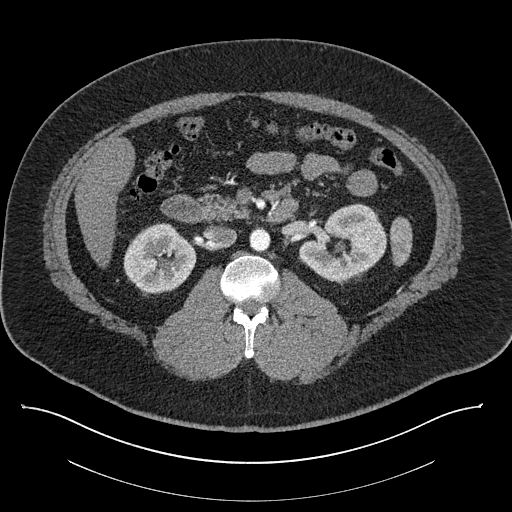
Abdominal CT with intravenous contrast, axial plane, 140 kVp, kernel I30f. Slice 492/787 from the bottom of the scan; thickness 1.00 mm; pixel size 0.910 mm.
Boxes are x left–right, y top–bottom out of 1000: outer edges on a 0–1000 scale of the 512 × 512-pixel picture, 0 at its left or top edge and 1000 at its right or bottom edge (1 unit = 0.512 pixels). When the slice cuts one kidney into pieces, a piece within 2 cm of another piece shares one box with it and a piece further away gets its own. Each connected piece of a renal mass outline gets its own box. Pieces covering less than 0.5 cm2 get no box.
Two boxes on this slice (two kidney boxes), listed by box centre from the image's left to its right. (1) Box x 240–385, y 436–576 out of 1000: right kidney (outlined area 3,913 px, about 32.4 cm2). (2) Left kidney, box x 584–758, y 396–551 out of 1000 (outlined area 4,746 px, about 39.3 cm2). This slice carries no renal mass outline.